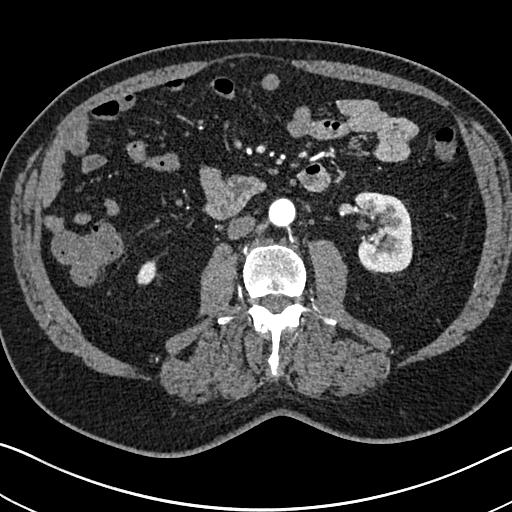
One axial slice (350 of 705, counting up from the lowest) of an arterial-phase abdominal CT acquired with 120 kVp, kernel I30f; each pixel is 0.703 mm and the slice is 1.00 mm thick.
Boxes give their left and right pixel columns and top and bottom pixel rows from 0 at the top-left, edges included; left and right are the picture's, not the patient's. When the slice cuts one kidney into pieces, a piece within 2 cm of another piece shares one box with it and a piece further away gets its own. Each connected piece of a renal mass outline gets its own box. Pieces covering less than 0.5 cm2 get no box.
Two kidney boxes on this slice; by box centre, from the image's left to its right: (1) Right kidney, the box with left 136, top 260, right 156, bottom 284 (outlined area 358 px, about 1.8 cm2). (2) Left kidney in the box with left 353, top 191, right 412, bottom 273 (outlined area 3,901 px, about 19.3 cm2). No renal mass outline on this slice.